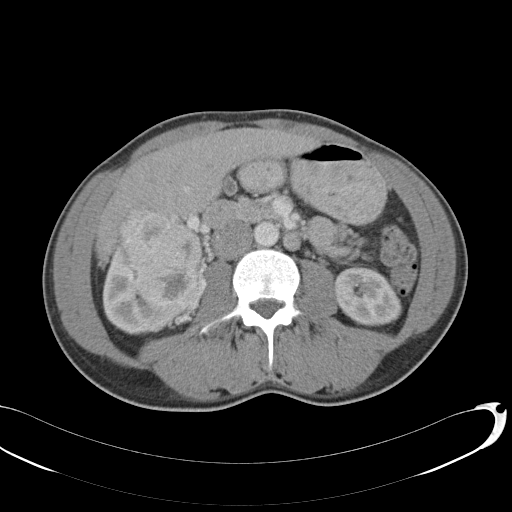
Axial slice 60 of 146 of a contrast-enhanced abdominal CT (slice 1 is the lowest), 120 kVp, kernel B31f; 5.00 mm slice thickness and 0.742 mm pixels.
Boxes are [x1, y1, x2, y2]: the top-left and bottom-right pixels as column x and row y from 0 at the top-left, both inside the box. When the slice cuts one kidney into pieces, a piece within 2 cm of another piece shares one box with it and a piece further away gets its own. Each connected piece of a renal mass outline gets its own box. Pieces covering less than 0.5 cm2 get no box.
Two kidney boxes and one renal mass box on this slice; by box centre, from the image's left to its right: (1) Right kidney, box [102, 237, 197, 335] (outlined area 3,471 px, about 19.1 cm2). (2) Box [117, 209, 202, 310]: right renal mass (outlined area 6,383 px, about 35.2 cm2). (3) Left kidney at [335, 266, 402, 326] (outlined area 3,132 px, about 17.3 cm2).